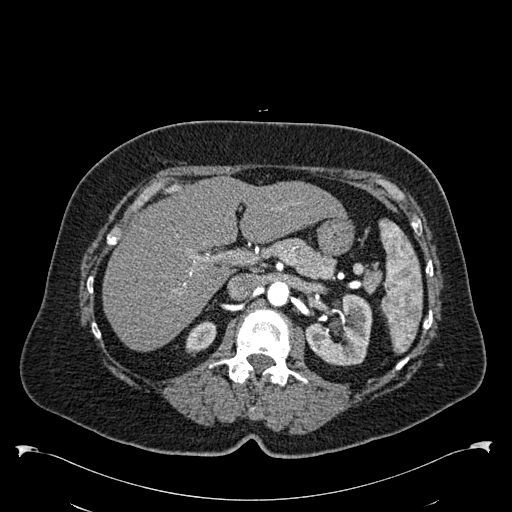
One axial slice (378 of 538, counting up from the lowest) of an arterial-phase abdominal CT acquired with 120 kVp, kernel B30f; each pixel is 0.811 mm and the slice is 1.00 mm thick.
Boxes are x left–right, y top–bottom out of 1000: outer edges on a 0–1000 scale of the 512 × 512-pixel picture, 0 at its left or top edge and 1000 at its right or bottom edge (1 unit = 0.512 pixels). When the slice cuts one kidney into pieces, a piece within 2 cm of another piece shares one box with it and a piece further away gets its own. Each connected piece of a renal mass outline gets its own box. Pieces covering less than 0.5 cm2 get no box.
Boxed on this slice (two kidney boxes), listed by box centre from the image's left to its right: (1) Right kidney, box x 361–424, y 625–697 out of 1000 (outlined area 744 px, about 4.9 cm2). (2) Left kidney at x 596–729, y 572–717 out of 1000 (outlined area 3,437 px, about 22.6 cm2). This slice carries no renal mass outline.